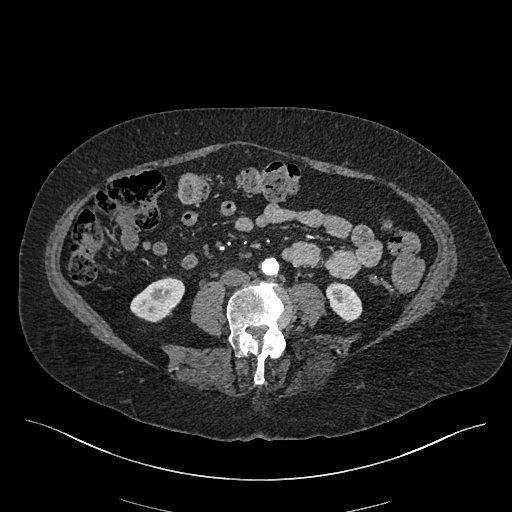
Axial slice 161 of 548 of a contrast-enhanced abdominal CT in the arterial phase (slice 1 is the lowest), 120 kVp, kernel I26f; 1.00 mm slice thickness and 0.852 mm pixels.
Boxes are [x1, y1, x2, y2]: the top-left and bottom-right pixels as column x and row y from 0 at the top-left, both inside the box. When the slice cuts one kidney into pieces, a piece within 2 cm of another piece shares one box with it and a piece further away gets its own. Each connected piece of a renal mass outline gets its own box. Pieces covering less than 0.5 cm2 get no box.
Two kidney boxes on this slice; by box centre, from the image's left to its right: (1) Right kidney, box [130, 277, 184, 322] (outlined area 1,686 px, about 12.2 cm2). (2) Box [326, 281, 362, 322]: left kidney (outlined area 1,046 px, about 7.6 cm2). No renal mass outline on this slice.